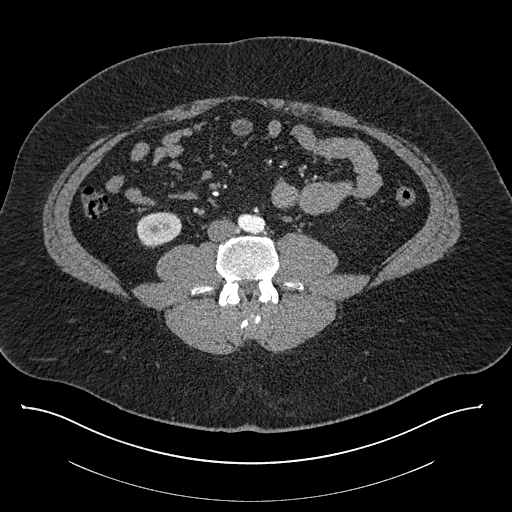
One axial slice (336 of 787, counting up from the lowest) of a contrast-enhanced abdominal CT acquired with 140 kVp, kernel I30f; each pixel is 0.910 mm and the slice is 1.00 mm thick.
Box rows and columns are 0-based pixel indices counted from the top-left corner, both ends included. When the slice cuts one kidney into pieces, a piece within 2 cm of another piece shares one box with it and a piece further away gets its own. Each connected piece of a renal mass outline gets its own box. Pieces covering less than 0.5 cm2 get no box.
Right kidney, box rows 211–248, columns 136–181 (outlined area 1,293 px, about 10.7 cm2). This slice carries no renal mass outline.